Abdominal CT with intravenous contrast, axial plane, 120 kVp, kernel B. Slice 26/64 from the bottom of the scan; thickness 4.00 mm; pixel size 0.977 mm.
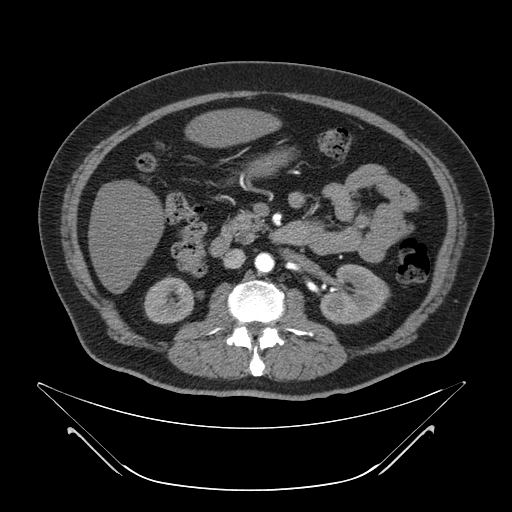
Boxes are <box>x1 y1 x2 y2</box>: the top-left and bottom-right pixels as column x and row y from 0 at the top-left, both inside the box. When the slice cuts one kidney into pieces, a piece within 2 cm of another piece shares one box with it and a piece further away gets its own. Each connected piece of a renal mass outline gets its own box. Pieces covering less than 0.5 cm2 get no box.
Two boxes on this slice (two kidney boxes), listed by box centre from the image's left to its right. (1) Right kidney: <box>144 275 194 323</box> (outlined area 1,869 px, about 17.8 cm2). (2) Left kidney: <box>320 264 390 324</box> (outlined area 3,075 px, about 29.3 cm2). No renal mass is outlined on this slice.